One axial slice (22 of 52, counting up from the lowest) of an arterial-phase abdominal CT acquired with 120 kVp, kernel B30f; each pixel is 0.678 mm and the slice is 3.00 mm thick.
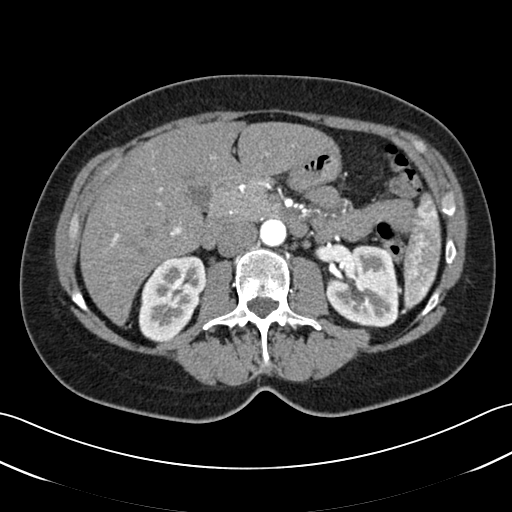
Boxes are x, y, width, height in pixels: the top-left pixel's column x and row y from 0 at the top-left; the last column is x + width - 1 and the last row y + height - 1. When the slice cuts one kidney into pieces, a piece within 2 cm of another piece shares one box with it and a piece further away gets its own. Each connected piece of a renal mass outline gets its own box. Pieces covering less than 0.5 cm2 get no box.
Boxed on this slice (two kidney boxes), listed by box centre from the image's left to its right: (1) Right kidney at x 138, y 255, width 68, height 88 (outlined area 4,332 px, about 19.9 cm2). (2) Left kidney, box x 326, y 245, width 73, height 82 (outlined area 4,701 px, about 21.6 cm2). No renal mass outline on this slice.